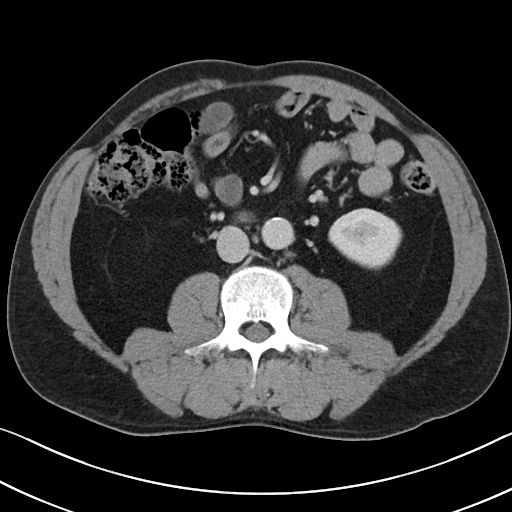
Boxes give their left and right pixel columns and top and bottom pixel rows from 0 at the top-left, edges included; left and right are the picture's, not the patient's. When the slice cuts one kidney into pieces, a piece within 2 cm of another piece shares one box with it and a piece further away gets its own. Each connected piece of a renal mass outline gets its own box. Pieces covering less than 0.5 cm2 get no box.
Slice 55/101 of a contrast-enhanced abdominal CT, counting up from the lowest; pixel size 0.684 mm, slice thickness 5.00 mm. Left kidney, the box with left 328, top 208, right 402, bottom 269 (outlined area 3,318 px, about 15.5 cm2). No renal mass outline on this slice.
Acquired at 100 kVp and reconstructed with the I40f kernel.